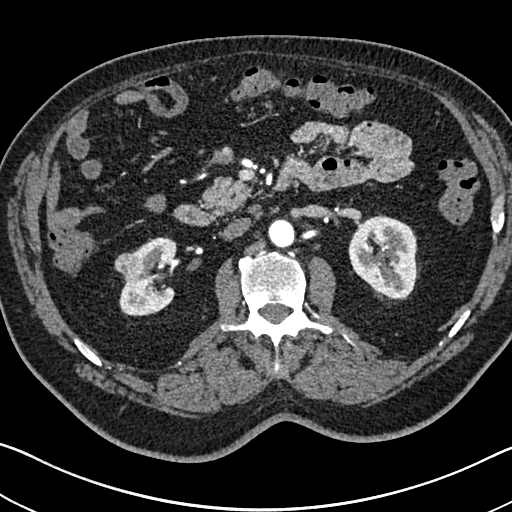
Abdominal CT with intravenous contrast, arterial phase, axial plane, 120 kVp, kernel I30f. Slice 419/705 from the bottom of the scan; thickness 1.00 mm; pixel size 0.703 mm.
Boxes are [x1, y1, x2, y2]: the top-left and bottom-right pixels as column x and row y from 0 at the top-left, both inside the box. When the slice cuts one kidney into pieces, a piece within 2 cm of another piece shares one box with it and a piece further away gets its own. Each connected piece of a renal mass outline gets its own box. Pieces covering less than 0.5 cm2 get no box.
Two kidney boxes and one renal mass box on this slice; by box centre, from the image's left to its right: (1) Right renal mass, box [114, 252, 143, 281] (outlined area 668 px, about 3.3 cm2). (2) Box [119, 236, 177, 316]: right kidney (outlined area 3,014 px, about 14.9 cm2). (3) Left kidney, box [348, 214, 420, 299] (outlined area 4,556 px, about 22.5 cm2).